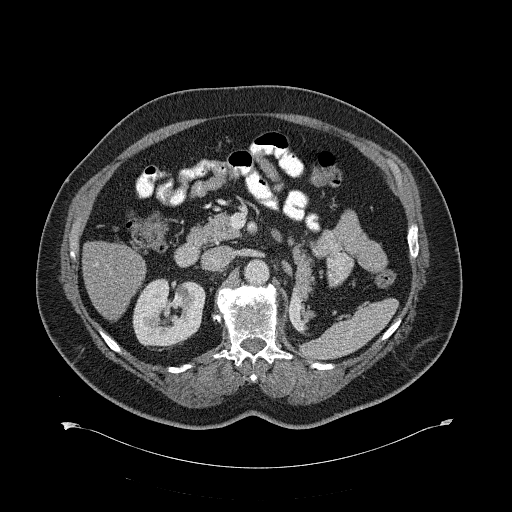
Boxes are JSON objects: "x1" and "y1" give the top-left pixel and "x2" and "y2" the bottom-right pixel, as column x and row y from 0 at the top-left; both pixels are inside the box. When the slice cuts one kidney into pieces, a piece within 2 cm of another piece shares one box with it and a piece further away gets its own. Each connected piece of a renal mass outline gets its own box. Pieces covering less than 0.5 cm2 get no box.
This is axial slice 390 of 734 (slice 1 is the lowest) of an abdominal CT with contrast; each pixel is 0.971 mm and the slice is 2.00 mm thick. Box {"x1": 132, "y1": 277, "x2": 204, "y2": 351}: right kidney (outlined area 4,082 px, about 38.5 cm2). This slice carries no renal mass outline.
Scan settings: 120 kVp, B31f reconstruction kernel.